Axial slice 144 of 326 of a contrast-enhanced abdominal CT in the arterial phase (slice 1 is the lowest), 120 kVp, kernel B31f; 2.00 mm slice thickness and 0.963 mm pixels.
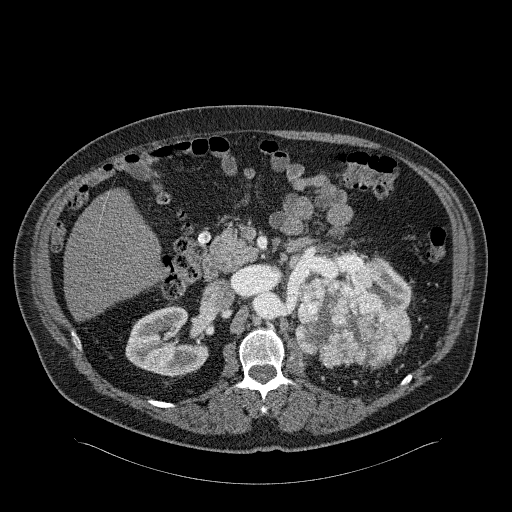
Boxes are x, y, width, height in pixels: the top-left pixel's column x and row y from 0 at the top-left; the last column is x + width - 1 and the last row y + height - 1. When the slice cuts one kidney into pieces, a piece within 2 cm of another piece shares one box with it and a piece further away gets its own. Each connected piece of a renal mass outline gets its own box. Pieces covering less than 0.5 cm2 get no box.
Three boxes on this slice (two kidney boxes and one renal mass box), listed by box centre from the image's left to its right. (1) Right kidney at x 125, y 305, width 84, height 73 (outlined area 4,211 px, about 39.0 cm2). (2) Left renal mass at x 295, y 262, width 117, height 108 (outlined area 8,552 px, about 79.3 cm2). (3) Box x 368, y 258, width 44, height 53: left kidney (outlined area 1,352 px, about 12.5 cm2).